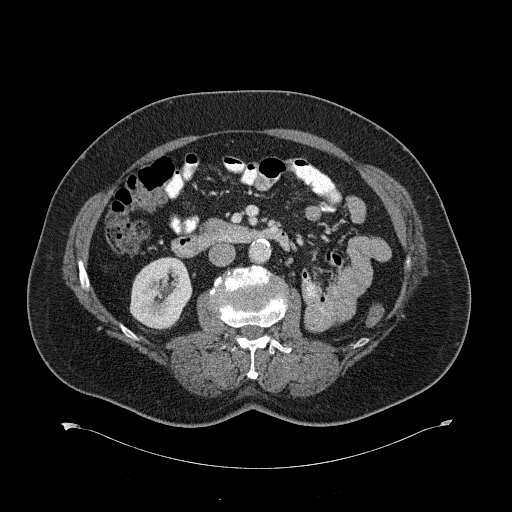
Axial slice 348 of 734 of a contrast-enhanced abdominal CT (slice 1 is the lowest), 120 kVp, kernel B31f; 2.00 mm slice thickness and 0.971 mm pixels.
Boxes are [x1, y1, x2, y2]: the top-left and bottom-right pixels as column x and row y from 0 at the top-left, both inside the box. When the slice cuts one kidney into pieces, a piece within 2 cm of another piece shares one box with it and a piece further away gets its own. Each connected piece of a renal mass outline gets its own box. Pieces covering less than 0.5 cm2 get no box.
Right kidney, box [129, 257, 192, 329] (outlined area 3,493 px, about 32.9 cm2). No renal mass is outlined on this slice.